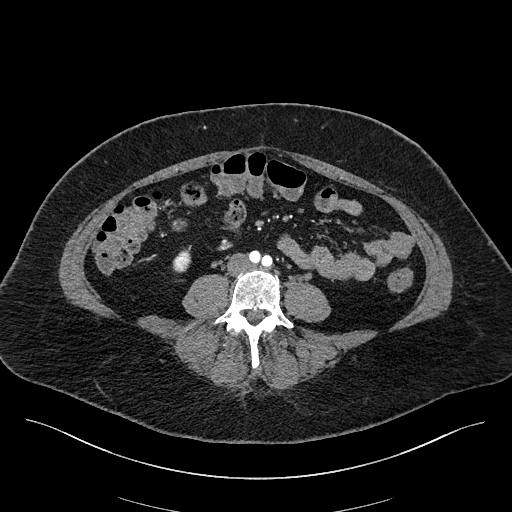
Abdominal CT with intravenous contrast, arterial phase, axial plane, 100 kVp, kernel I40f. Slice 41/270 from the bottom of the scan; thickness 2.00 mm; pixel size 0.855 mm.
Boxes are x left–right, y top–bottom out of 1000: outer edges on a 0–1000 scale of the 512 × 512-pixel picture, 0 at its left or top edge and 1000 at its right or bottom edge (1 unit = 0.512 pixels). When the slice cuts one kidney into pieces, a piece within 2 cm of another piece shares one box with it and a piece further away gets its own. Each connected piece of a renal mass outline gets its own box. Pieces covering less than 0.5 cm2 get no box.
Right kidney, box x 336–375, y 482–533 out of 1000 (outlined area 337 px, about 2.5 cm2). No renal mass outline on this slice.